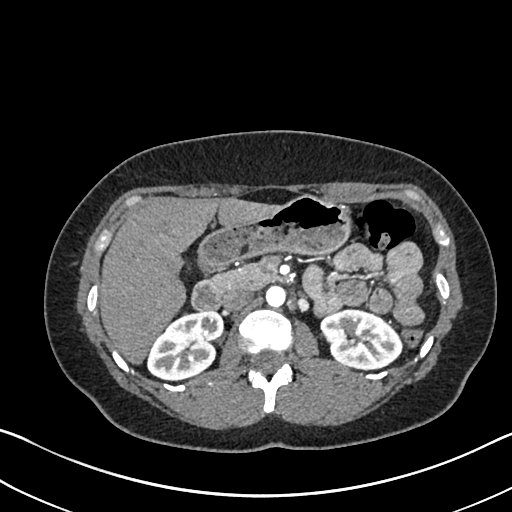
Abdominal CT with intravenous contrast, arterial phase, axial plane, 120 kVp, kernel I30f. Slice 427/612 from the bottom of the scan; thickness 1.00 mm; pixel size 0.703 mm.
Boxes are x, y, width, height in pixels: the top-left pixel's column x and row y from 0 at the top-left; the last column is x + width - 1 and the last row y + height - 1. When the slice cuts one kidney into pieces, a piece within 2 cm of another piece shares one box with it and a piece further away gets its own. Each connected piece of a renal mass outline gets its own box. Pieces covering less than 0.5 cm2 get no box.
Two kidney boxes on this slice; by box centre, from the image's left to its right: (1) Right kidney, box x 146, y 311, width 79, height 69 (outlined area 3,874 px, about 19.2 cm2). (2) Left kidney, box x 320, y 307, width 84, height 65 (outlined area 3,872 px, about 19.1 cm2). This slice carries no renal mass outline.